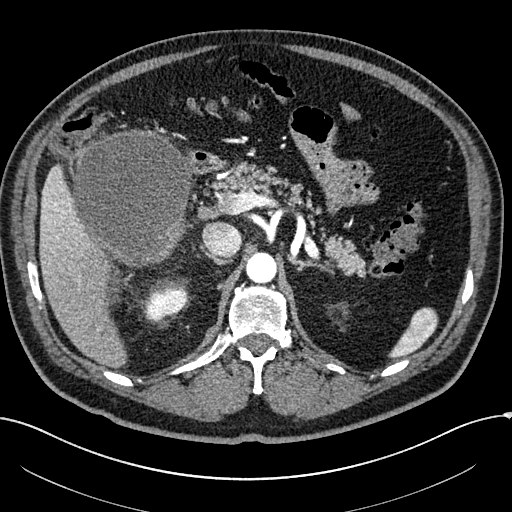
Abdominal CT with intravenous contrast, arterial phase, axial plane, 100 kVp, kernel I30f. Slice 163/304 from the bottom of the scan; thickness 2.00 mm; pixel size 0.809 mm.
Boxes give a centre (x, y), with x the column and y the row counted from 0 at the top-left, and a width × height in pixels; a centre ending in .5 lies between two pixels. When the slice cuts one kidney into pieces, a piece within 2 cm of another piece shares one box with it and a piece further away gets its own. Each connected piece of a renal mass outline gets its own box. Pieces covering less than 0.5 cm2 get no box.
One kidney box and one renal mass box on this slice; by box centre, from the image's left to its right: (1) Right renal mass in a box with centre (133, 198.5), 121 × 140 pixels (outlined area 13,079 px, about 85.5 cm2); on this slice it lies more than 1 cm from any kidney outline, but the same outlined renal mass comes within 1 cm of the kidney on another slice. (2) Right kidney in a box with centre (166.5, 302.5), 44 × 36 pixels (outlined area 1,161 px, about 7.6 cm2).